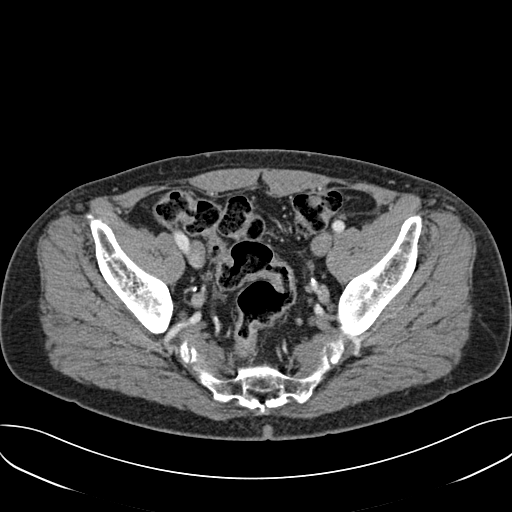
Slice 42/157 of a contrast-enhanced abdominal CT in the arterial phase, counting up from the lowest; pixel size 0.742 mm, slice thickness 3.00 mm. This slice carries no outline: it lies beyond the outlined kidneys and beyond every outlined renal mass. Other organs are not outlined in this scan.
Tube voltage 120 kVp; convolution kernel B30f.